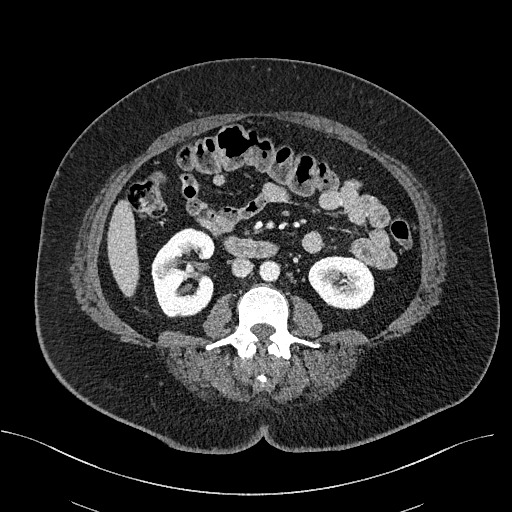
Axial slice 273 of 470 of a contrast-enhanced abdominal CT (slice 1 is the lowest), 100 kVp, kernel I40f; 2.00 mm slice thickness and 0.824 mm pixels.
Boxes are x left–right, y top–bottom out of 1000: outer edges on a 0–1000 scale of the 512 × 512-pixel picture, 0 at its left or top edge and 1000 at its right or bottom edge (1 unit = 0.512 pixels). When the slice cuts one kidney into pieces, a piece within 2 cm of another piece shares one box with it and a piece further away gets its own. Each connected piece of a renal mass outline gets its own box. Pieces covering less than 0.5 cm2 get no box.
Three boxes on this slice (two kidney boxes and one renal mass box), listed by box centre from the image's left to its right. (1) Right renal mass at x 297–334, y 512–545 out of 1000 (outlined area 258 px, about 1.8 cm2). (2) Right kidney at x 295–422, y 443–621 out of 1000 (outlined area 4,122 px, about 28.0 cm2). (3) Left kidney, box x 602–732, y 498–607 out of 1000 (outlined area 2,842 px, about 19.3 cm2).